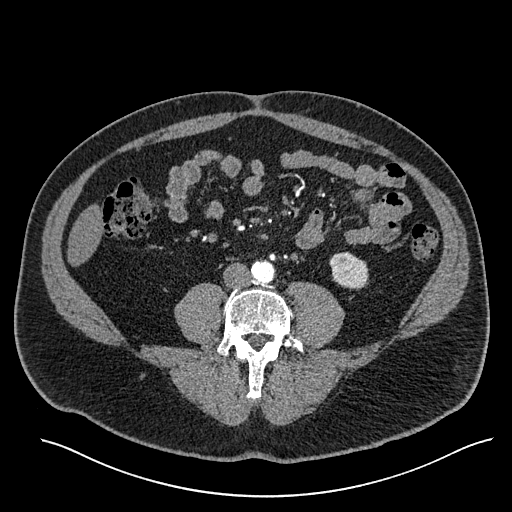
One axial slice (190 of 527, counting up from the lowest) of an arterial-phase abdominal CT acquired with 120 kVp, kernel I30f; each pixel is 0.859 mm and the slice is 1.00 mm thick.
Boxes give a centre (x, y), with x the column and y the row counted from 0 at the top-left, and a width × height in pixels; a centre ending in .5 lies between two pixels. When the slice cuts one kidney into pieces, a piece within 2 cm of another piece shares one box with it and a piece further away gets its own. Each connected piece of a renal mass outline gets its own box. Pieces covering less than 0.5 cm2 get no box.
Box centre (348.5, 270.5), 40 × 38 pixels: left kidney (outlined area 1,171 px, about 8.6 cm2). No renal mass is outlined on this slice.